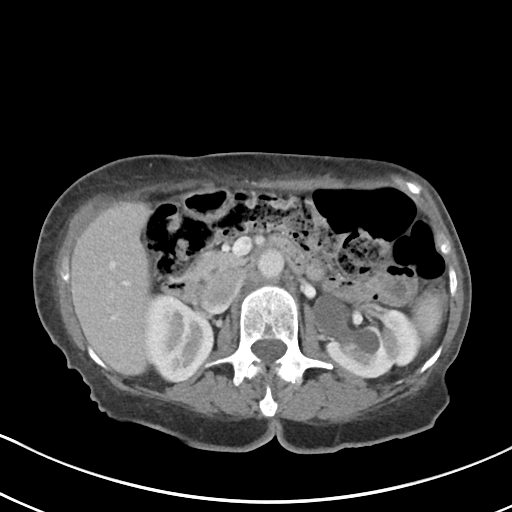
Arterial-phase contrast-enhanced abdominal CT, axial slice 59 of 80 (counted from the lowest slice); tube voltage 100 kVp, convolution kernel I40f; slices 5.00 mm thick, 0.648 mm per pixel.
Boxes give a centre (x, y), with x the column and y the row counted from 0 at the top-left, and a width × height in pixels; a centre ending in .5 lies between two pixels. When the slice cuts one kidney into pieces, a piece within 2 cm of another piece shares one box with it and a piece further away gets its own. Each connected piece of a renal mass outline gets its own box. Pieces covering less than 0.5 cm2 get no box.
Two boxes on this slice (two kidney boxes), listed by box centre from the image's left to its right. (1) Right kidney, box centre (178.5, 338), 70 × 87 pixels (outlined area 4,410 px, about 18.5 cm2). (2) Left kidney, box centre (366.5, 336), 106 × 81 pixels (outlined area 5,013 px, about 21.1 cm2). No renal mass is outlined on this slice.